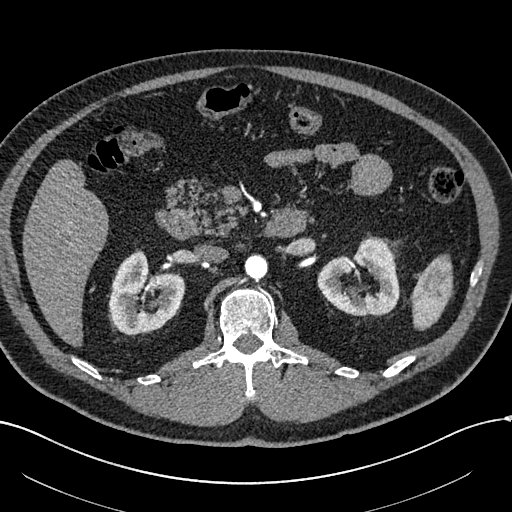
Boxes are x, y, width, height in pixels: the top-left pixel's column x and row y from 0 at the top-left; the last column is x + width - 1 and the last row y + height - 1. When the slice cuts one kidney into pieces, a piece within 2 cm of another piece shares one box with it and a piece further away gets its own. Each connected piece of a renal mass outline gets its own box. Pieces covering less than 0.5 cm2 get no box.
Slice 367/602 of a contrast-enhanced abdominal CT in the arterial phase, counting up from the lowest; pixel size 0.799 mm, slice thickness 1.00 mm. Boxed on this slice (two kidney boxes), listed by box centre from the image's left to its right: (1) Right kidney at x 109, y 250, width 76, height 85 (outlined area 4,471 px, about 28.5 cm2). (2) Left kidney at x 317, y 236, width 84, height 81 (outlined area 4,384 px, about 28.0 cm2). No renal mass outline on this slice.
Tube voltage 120 kVp; convolution kernel I30f.